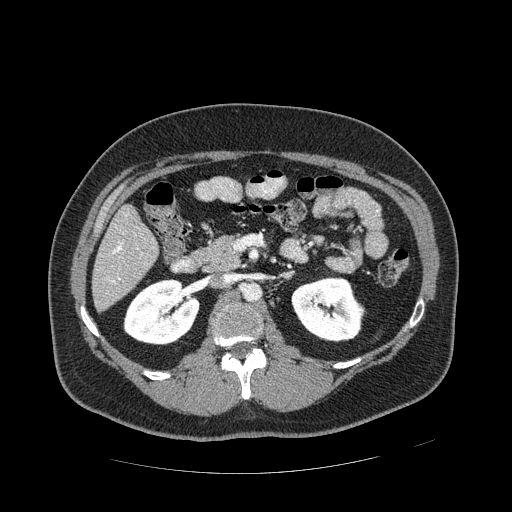
Arterial-phase contrast-enhanced abdominal CT, axial slice 263 of 389 (counted from the lowest slice); tube voltage 120 kVp, convolution kernel STANDARD; slices 1.25 mm thick, 0.869 mm per pixel.
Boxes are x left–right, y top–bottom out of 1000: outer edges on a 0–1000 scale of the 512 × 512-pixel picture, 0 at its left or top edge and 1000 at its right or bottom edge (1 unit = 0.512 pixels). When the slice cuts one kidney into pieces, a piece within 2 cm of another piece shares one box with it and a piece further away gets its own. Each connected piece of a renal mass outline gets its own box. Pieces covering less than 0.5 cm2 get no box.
Two kidney boxes and one renal mass box on this slice; by box centre, from the image's left to its right: (1) Right kidney at x 240–393, y 545–676 out of 1000 (outlined area 3,813 px, about 28.8 cm2). (2) Left kidney, box x 568–709, y 539–670 out of 1000 (outlined area 3,464 px, about 26.2 cm2). (3) Box x 684–717, y 590–621 out of 1000: left renal mass (outlined area 194 px, about 1.5 cm2).